Arterial-phase contrast-enhanced abdominal CT, axial slice 317 of 673 (counted from the lowest slice); tube voltage 120 kVp, convolution kernel I30f; slices 1.00 mm thick, 0.855 mm per pixel.
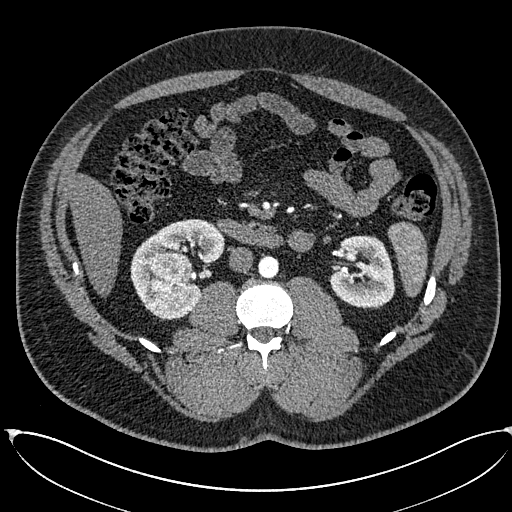
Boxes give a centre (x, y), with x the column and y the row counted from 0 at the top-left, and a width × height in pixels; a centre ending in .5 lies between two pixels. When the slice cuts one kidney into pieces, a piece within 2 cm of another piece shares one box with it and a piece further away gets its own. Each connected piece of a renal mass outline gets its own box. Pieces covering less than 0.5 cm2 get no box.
Three boxes on this slice (two kidney boxes and one renal mass box), listed by box centre from the image's left to its right. (1) Box centre (170, 282.5), 45 × 60 pixels: right renal mass (outlined area 2,299 px, about 16.8 cm2). (2) Right kidney in a box with centre (177, 269.5), 95 × 102 pixels (outlined area 4,288 px, about 31.4 cm2). (3) Left kidney in a box with centre (362, 271.5), 67 × 74 pixels (outlined area 3,765 px, about 27.6 cm2).